Arterial-phase contrast-enhanced abdominal CT, axial slice 271 of 620 (counted from the lowest slice); tube voltage 120 kVp, convolution kernel B31f; slices 2.00 mm thick, 0.637 mm per pixel.
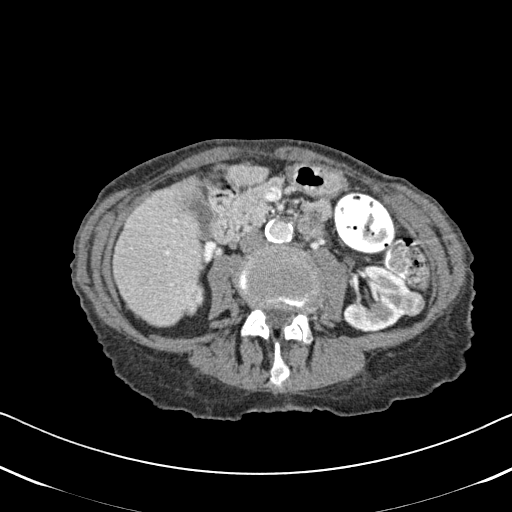
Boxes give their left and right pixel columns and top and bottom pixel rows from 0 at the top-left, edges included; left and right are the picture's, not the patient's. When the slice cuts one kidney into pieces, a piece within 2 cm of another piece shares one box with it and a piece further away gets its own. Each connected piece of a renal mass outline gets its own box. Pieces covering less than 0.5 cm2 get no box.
Boxed on this slice (two kidney boxes and one renal mass box), listed by box centre from the image's left to its right: (1) Box with left 188, top 289, right 200, bottom 310: right kidney (outlined area 211 px, about 0.9 cm2). (2) Left kidney, the box with left 342, top 263, right 410, bottom 333 (outlined area 3,136 px, about 12.7 cm2). (3) Left renal mass, the box with left 401, top 291, right 425, bottom 316 (outlined area 514 px, about 2.1 cm2).